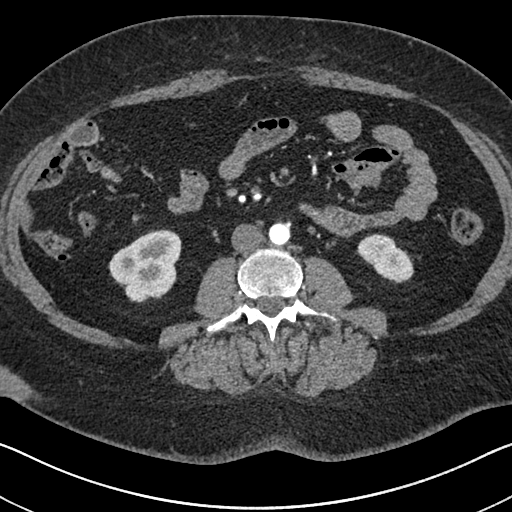
Abdominal CT with intravenous contrast, arterial phase, axial plane, 140 kVp, kernel I30f. Slice 305/591 from the bottom of the scan; thickness 1.00 mm; pixel size 0.703 mm.
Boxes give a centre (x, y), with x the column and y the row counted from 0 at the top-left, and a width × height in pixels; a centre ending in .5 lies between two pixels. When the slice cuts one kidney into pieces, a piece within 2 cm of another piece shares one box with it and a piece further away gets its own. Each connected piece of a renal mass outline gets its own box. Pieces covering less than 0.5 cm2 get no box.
Two boxes on this slice (two kidney boxes), listed by box centre from the image's left to its right. (1) Right kidney, box centre (144.5, 265.5), 74 × 74 pixels (outlined area 3,807 px, about 18.8 cm2). (2) Box centre (385, 258.5), 59 × 50 pixels: left kidney (outlined area 1,834 px, about 9.1 cm2). This slice carries no renal mass outline.